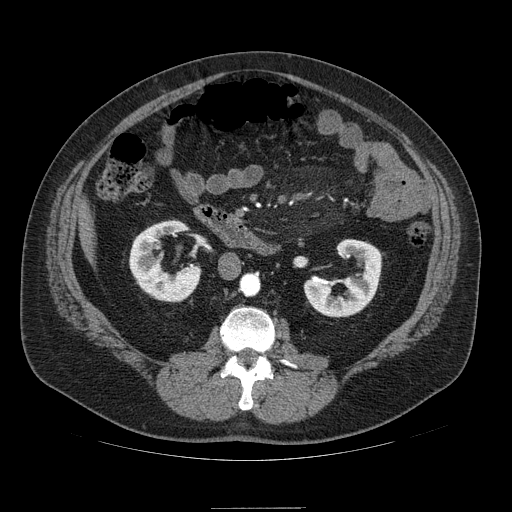
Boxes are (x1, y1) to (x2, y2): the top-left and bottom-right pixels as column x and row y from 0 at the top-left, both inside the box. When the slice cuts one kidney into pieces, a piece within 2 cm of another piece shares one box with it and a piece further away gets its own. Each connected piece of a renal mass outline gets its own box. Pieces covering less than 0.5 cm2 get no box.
Slice 43/121 of a contrast-enhanced abdominal CT in the arterial phase, counting up from the lowest; pixel size 0.861 mm, slice thickness 2.50 mm. Boxed on this slice (two kidney boxes), listed by box centre from the image's left to its right: (1) Box (129, 220) to (200, 301): right kidney (outlined area 3,377 px, about 25.1 cm2). (2) Left kidney from (304, 239) to (381, 317) (outlined area 3,429 px, about 25.4 cm2). This slice carries no renal mass outline.
Tube voltage 120 kVp; convolution kernel STANDARD.